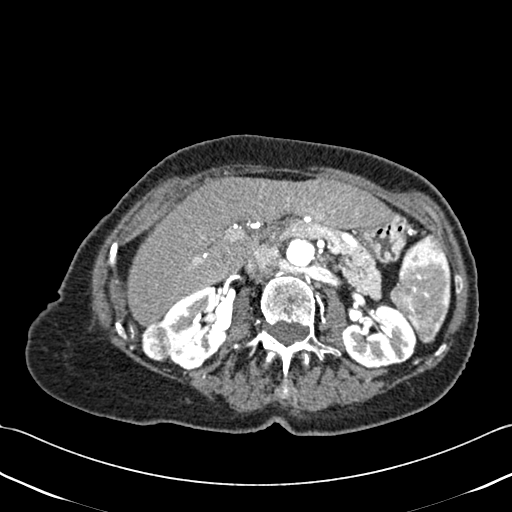
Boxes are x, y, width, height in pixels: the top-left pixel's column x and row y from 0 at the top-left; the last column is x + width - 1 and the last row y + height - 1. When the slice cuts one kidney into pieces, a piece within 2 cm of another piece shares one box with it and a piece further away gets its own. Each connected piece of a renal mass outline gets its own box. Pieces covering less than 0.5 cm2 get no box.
This is axial slice 256 of 433 (slice 1 is the lowest) of an abdominal CT with contrast; each pixel is 0.672 mm and the slice is 1.00 mm thick. Boxed on this slice (two kidney boxes and one renal mass box), listed by box centre from the image's left to its right: (1) Right renal mass, box x 141, y 320, width 31, height 42 (outlined area 999 px, about 4.5 cm2). (2) Box x 159, y 286, width 69, height 85: right kidney (outlined area 3,814 px, about 17.2 cm2). (3) Box x 341, y 304, width 76, height 65: left kidney (outlined area 3,602 px, about 16.3 cm2).
Scan settings: 120 kVp, B30f reconstruction kernel.